Abdominal CT with intravenous contrast, arterial phase, axial plane, 120 kVp, kernel B30f. Slice 369/723 from the bottom of the scan; thickness 1.00 mm; pixel size 0.895 mm.
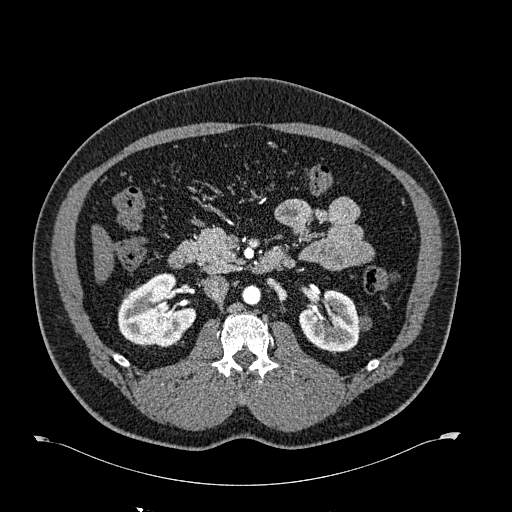
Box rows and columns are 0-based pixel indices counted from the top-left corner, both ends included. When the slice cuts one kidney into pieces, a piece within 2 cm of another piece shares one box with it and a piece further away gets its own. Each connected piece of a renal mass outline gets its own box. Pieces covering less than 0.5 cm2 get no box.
Boxed on this slice (two kidney boxes), listed by box centre from the image's left to its right: (1) Right kidney at rows 273–347, columns 117–196 (outlined area 4,143 px, about 33.2 cm2). (2) Box rows 289–351, columns 299–371: left kidney (outlined area 2,995 px, about 24.0 cm2).